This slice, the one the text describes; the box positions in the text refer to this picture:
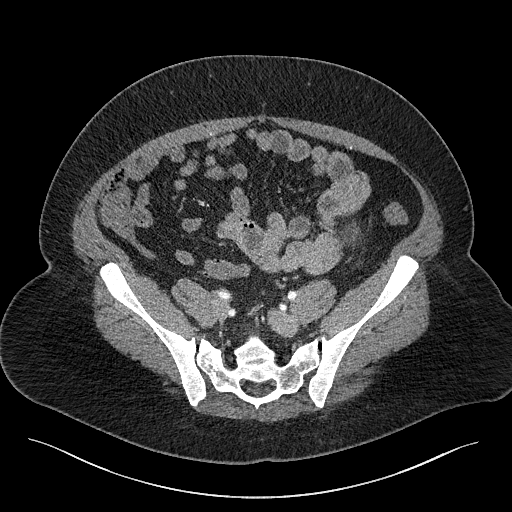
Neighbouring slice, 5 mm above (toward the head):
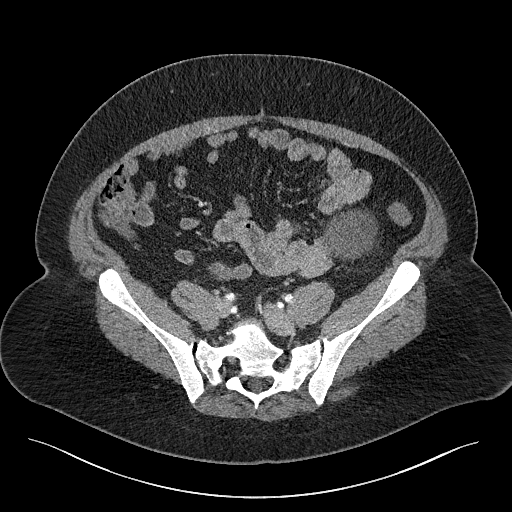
One axial slice (20 of 301, counting up from the lowest) of a contrast-enhanced abdominal CT acquired with 120 kVp, kernel I40f; each pixel is 0.859 mm and the slice is 2.00 mm thick.
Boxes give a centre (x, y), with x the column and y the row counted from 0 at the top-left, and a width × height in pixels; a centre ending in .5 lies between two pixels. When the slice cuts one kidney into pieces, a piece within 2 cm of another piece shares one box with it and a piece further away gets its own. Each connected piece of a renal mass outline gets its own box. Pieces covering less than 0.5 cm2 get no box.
Left renal mass, box centre (348.5, 233.5), 24 × 28 pixels (outlined area 378 px, about 2.8 cm2); no kidney is outlined on this slice, but the same outlined renal mass comes within 1 cm of the kidney on another slice. This slice lies near the end of the left renal mass toward the feet; the slice 5 mm above it is shown too, and the boxes mark positions on this slice only.